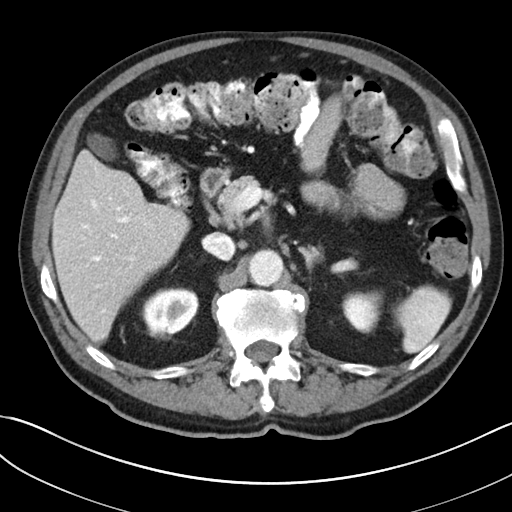
Axial slice 142 of 269 of a contrast-enhanced abdominal CT (slice 1 is the lowest), 100 kVp, kernel I30f; 5.00 mm slice thickness and 0.732 mm pixels.
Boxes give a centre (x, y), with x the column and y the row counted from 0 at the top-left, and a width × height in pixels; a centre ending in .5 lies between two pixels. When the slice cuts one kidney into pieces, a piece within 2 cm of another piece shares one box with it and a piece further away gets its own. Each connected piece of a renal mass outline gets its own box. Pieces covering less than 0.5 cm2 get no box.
Two boxes on this slice (two kidney boxes), listed by box centre from the image's left to its right. (1) Box centre (170.5, 311), 56 × 49 pixels: right kidney (outlined area 2,128 px, about 11.4 cm2). (2) Left kidney, box centre (362, 311.5), 43 × 44 pixels (outlined area 1,389 px, about 7.5 cm2). No renal mass is outlined on this slice.